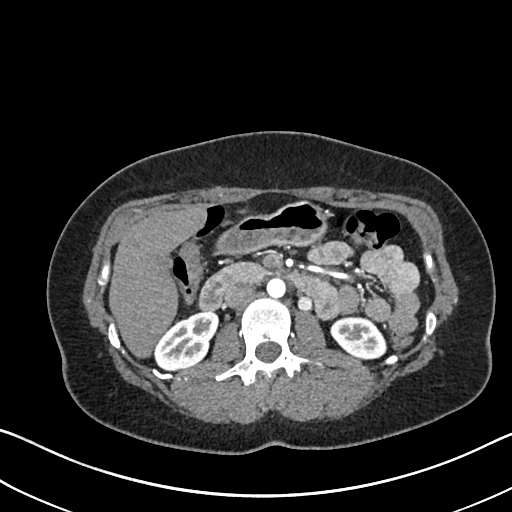
Arterial-phase contrast-enhanced abdominal CT, axial slice 395 of 612 (counted from the lowest slice); tube voltage 120 kVp, convolution kernel I30f; slices 1.00 mm thick, 0.703 mm per pixel.
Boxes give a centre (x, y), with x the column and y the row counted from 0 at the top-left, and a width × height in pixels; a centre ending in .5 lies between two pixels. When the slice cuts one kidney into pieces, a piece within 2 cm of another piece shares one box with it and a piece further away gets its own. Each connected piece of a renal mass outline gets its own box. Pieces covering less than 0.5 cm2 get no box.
Boxed on this slice (two kidney boxes), listed by box centre from the image's left to its right: (1) Box centre (186.5, 340.5), 64 × 60 pixels: right kidney (outlined area 2,533 px, about 12.5 cm2). (2) Left kidney, box centre (358, 337.5), 57 × 44 pixels (outlined area 1,842 px, about 9.1 cm2). This slice carries no renal mass outline.